Axial slice 468 of 705 of a contrast-enhanced abdominal CT in the arterial phase (slice 1 is the lowest), 120 kVp, kernel I30f; 1.00 mm slice thickness and 0.703 mm pixels.
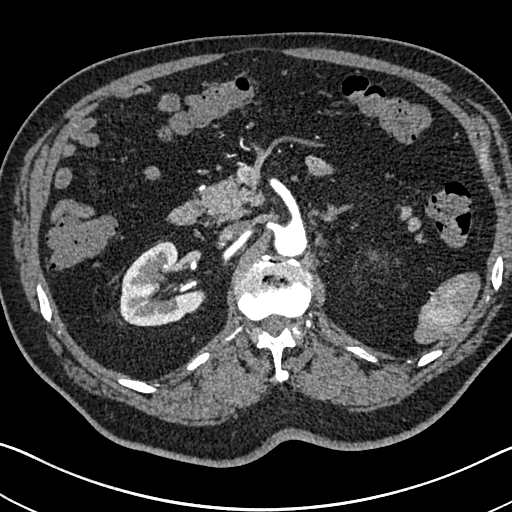
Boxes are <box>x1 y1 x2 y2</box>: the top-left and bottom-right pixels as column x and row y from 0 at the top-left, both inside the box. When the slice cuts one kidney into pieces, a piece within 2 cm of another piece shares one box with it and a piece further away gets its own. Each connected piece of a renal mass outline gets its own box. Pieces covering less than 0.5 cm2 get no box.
At <box>119 240 204 326</box>: right kidney (outlined area 4,822 px, about 23.8 cm2). This slice carries no renal mass outline.